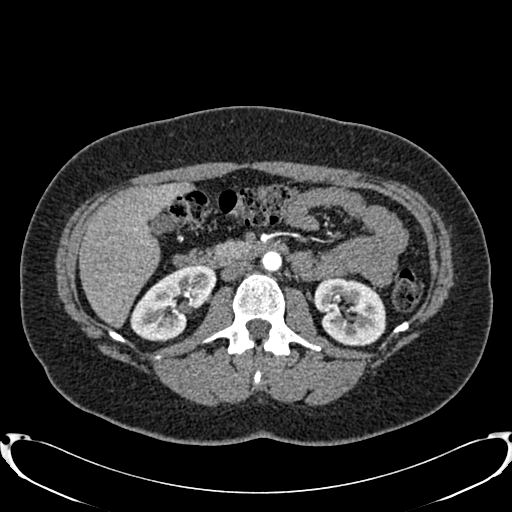
Axial slice 446 of 719 of a contrast-enhanced abdominal CT in the arterial phase (slice 1 is the lowest), 120 kVp, kernel B20f; 1.00 mm slice thickness and 0.766 mm pixels.
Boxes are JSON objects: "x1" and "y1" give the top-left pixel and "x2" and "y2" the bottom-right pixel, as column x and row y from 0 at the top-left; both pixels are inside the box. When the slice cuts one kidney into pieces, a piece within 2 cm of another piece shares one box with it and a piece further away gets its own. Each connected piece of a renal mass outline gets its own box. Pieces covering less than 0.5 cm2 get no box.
Two boxes on this slice (two kidney boxes), listed by box centre from the image's left to its right. (1) Right kidney, box {"x1": 130, "y1": 265, "x2": 216, "y2": 341} (outlined area 4,110 px, about 24.1 cm2). (2) Left kidney, box {"x1": 313, "y1": 276, "x2": 386, "y2": 346} (outlined area 3,854 px, about 22.6 cm2). No renal mass is outlined on this slice.